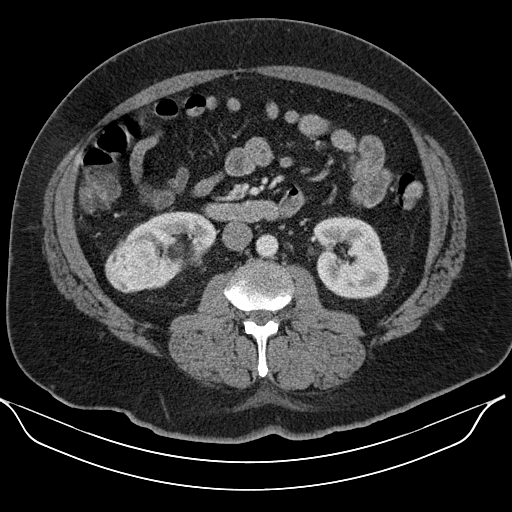
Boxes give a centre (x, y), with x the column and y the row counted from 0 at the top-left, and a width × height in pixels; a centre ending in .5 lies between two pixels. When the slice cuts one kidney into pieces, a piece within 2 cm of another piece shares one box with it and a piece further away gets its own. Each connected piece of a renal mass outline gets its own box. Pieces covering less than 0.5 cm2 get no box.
Slice 64/110 of a contrast-enhanced abdominal CT in the arterial phase, counting up from the lowest; pixel size 0.836 mm, slice thickness 5.00 mm. Two kidney boxes and one renal mass box on this slice; by box centre, from the image's left to its right: (1) Right renal mass, box centre (130.5, 266), 52 × 55 pixels (outlined area 2,267 px, about 15.8 cm2). (2) Box centre (168.5, 250), 96 × 79 pixels: right kidney (outlined area 3,792 px, about 26.5 cm2). (3) Left kidney, box centre (350.5, 256), 78 × 83 pixels (outlined area 4,941 px, about 34.5 cm2).
Scan settings: 130 kVp, B30s reconstruction kernel.